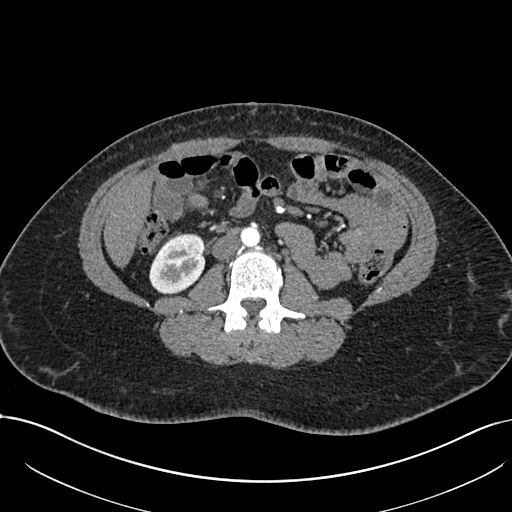
One axial slice (346 of 738, counting up from the lowest) of an arterial-phase abdominal CT acquired with 120 kVp, kernel I30f; each pixel is 0.789 mm and the slice is 1.00 mm thick.
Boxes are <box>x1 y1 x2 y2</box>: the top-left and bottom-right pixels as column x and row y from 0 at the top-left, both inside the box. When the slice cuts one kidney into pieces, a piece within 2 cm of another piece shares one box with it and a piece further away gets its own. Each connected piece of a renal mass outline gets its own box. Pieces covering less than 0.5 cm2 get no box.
Right kidney at <box>149 233 205 293</box> (outlined area 2,615 px, about 16.3 cm2). No renal mass is outlined on this slice.